Arterial-phase contrast-enhanced abdominal CT, axial slice 17 of 53 (counted from the lowest slice); tube voltage 120 kVp, convolution kernel STANDARD; slices 5.00 mm thick, 0.703 mm per pixel.
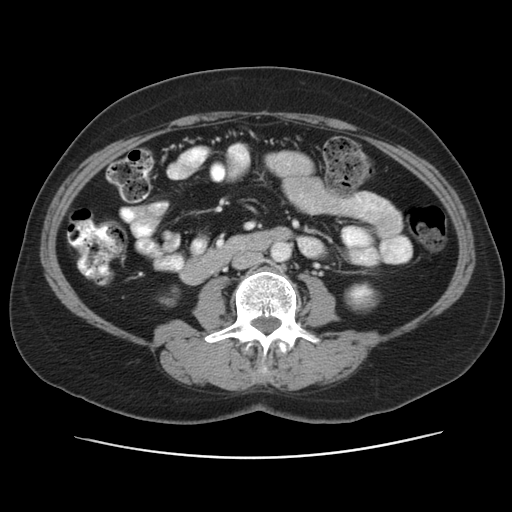
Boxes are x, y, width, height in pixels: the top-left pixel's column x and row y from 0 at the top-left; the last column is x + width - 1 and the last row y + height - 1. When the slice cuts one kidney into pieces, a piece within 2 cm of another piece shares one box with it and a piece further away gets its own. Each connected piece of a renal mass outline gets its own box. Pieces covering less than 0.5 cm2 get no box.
Two kidney boxes on this slice; by box centre, from the image's left to its right: (1) Right kidney, box x 159, y 286, width 21, height 21 (outlined area 220 px, about 1.1 cm2). (2) Left kidney at x 344, y 282, width 35, height 29 (outlined area 780 px, about 3.9 cm2). No renal mass outline on this slice.